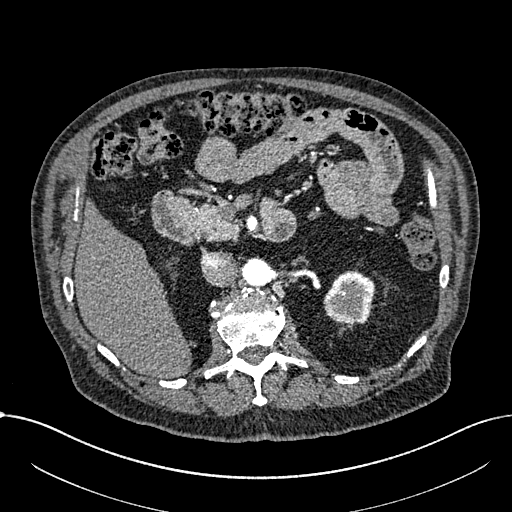
One axial slice (437 of 1059, counting up from the lowest) of an arterial-phase abdominal CT acquired with 100 kVp, kernel I30f; each pixel is 0.811 mm and the slice is 1.00 mm thick.
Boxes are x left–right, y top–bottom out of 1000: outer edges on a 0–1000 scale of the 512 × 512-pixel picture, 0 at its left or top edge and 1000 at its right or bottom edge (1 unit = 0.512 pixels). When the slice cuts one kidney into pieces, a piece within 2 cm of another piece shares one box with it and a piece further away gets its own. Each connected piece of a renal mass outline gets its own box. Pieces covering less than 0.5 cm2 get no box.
Left part of the midline-crossing kidney at x 631–734, y 527–637 out of 1000 (outlined area 2,211 px, about 14.5 cm2). No renal mass is outlined on this slice.